Abdominal CT with intravenous contrast, arterial phase, axial plane, 120 kVp, kernel I30f. Slice 60/261 from the bottom of the scan; thickness 2.00 mm; pixel size 0.939 mm.
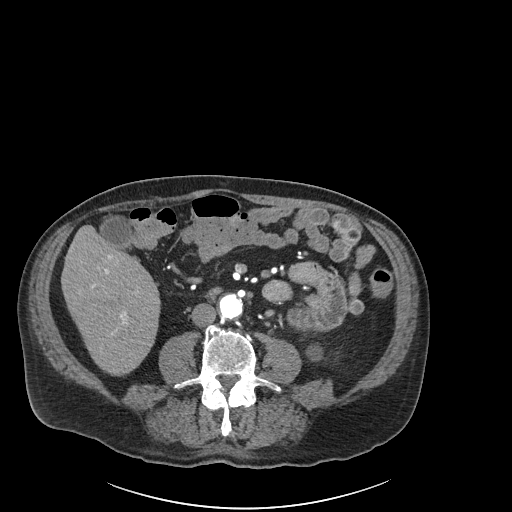
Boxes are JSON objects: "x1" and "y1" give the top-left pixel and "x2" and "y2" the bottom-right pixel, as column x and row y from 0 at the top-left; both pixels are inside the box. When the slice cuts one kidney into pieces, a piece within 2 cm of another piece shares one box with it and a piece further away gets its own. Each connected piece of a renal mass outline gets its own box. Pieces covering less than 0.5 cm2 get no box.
Left kidney at {"x1": 305, "y1": 343, "x2": 322, "y2": 361} (outlined area 248 px, about 2.2 cm2). No renal mass outline on this slice.